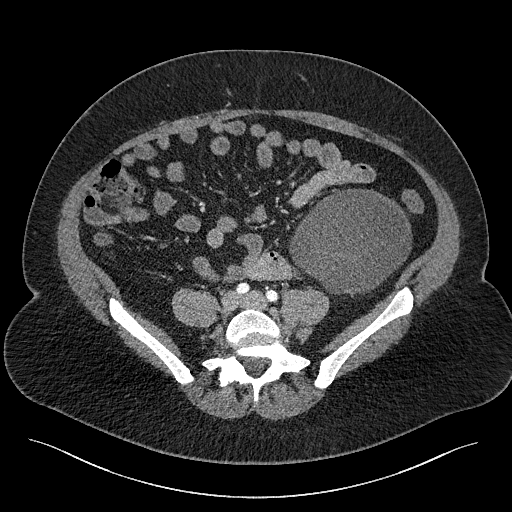
One axial slice (45 of 301, counting up from the lowest) of a contrast-enhanced abdominal CT acquired with 120 kVp, kernel I40f; each pixel is 0.859 mm and the slice is 2.00 mm thick.
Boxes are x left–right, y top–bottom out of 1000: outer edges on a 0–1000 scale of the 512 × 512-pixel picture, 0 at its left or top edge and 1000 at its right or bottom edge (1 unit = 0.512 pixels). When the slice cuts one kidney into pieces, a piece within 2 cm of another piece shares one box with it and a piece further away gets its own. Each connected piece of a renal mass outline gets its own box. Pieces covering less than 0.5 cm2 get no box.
Left renal mass, box x 564–805, y 369–582 out of 1000 (outlined area 9,594 px, about 70.9 cm2); no kidney outline appears on this slice, but the same outlined renal mass comes within 1 cm of the kidney on another slice.